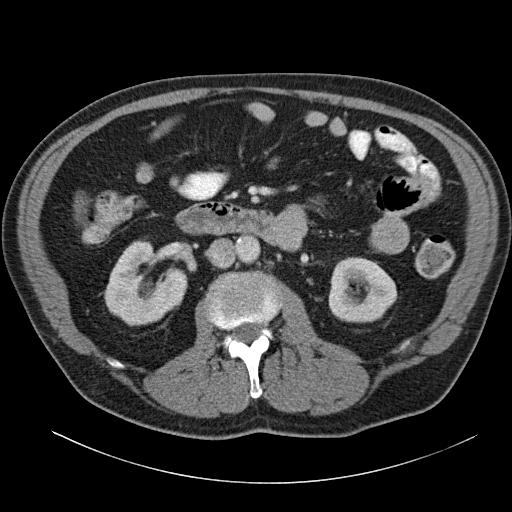
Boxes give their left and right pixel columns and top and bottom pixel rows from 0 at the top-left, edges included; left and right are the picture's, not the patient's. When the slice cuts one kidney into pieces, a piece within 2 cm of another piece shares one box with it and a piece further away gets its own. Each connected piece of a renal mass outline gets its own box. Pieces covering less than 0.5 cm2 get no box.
Slice 68/140 of a contrast-enhanced abdominal CT in the arterial phase, counting up from the lowest; pixel size 0.754 mm, slice thickness 5.00 mm. Two boxes on this slice (two kidney boxes), listed by box centre from the image's left to its right. (1) Right kidney, the box with left 103, top 239, right 187, bottom 326 (outlined area 4,775 px, about 27.1 cm2). (2) Box with left 328, top 257, right 397, bottom 322: left kidney (outlined area 3,552 px, about 20.2 cm2). No renal mass outline on this slice.
Acquired at 120 kVp and reconstructed with the B31f kernel.